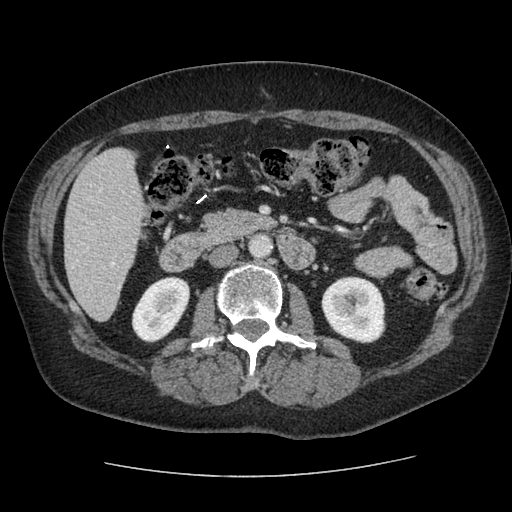
Axial slice 39 of 96 of a contrast-enhanced abdominal CT in the arterial phase (slice 1 is the lowest), 120 kVp, kernel STANDARD; 2.50 mm slice thickness and 0.689 mm pixels.
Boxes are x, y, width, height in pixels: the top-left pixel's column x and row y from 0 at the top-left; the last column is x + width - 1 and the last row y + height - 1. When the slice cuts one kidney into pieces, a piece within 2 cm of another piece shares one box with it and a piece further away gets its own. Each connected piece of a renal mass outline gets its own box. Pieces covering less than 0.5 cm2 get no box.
Two kidney boxes on this slice; by box centre, from the image's left to its right: (1) Right kidney at x 131, y 276, width 59, height 67 (outlined area 2,758 px, about 13.1 cm2). (2) Left kidney at x 321, y 276, width 65, height 67 (outlined area 3,431 px, about 16.3 cm2). No renal mass is outlined on this slice.